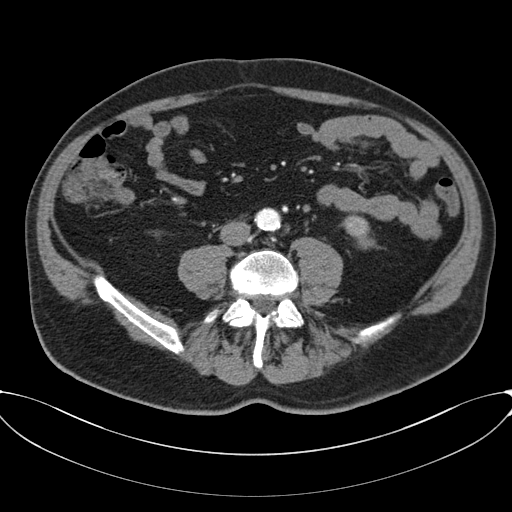
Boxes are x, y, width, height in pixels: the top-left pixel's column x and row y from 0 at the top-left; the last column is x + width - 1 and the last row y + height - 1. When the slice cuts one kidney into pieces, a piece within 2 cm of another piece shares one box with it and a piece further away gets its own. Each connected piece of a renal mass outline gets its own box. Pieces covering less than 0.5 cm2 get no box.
Contrast-enhanced abdominal CT, axial slice 13 of 80 (counted from the lowest slice); 3.00 mm thick, 0.822 mm per pixel. Left kidney, box x 342, y 213, width 34, height 37 (outlined area 727 px, about 4.9 cm2). No renal mass is outlined on this slice.
Acquired at 120 kVp and reconstructed with the B30f kernel.